Abdominal CT with intravenous contrast, arterial phase, axial plane, 100 kVp, kernel I41f. Slice 95/129 from the bottom of the scan; thickness 3.00 mm; pixel size 0.779 mm.
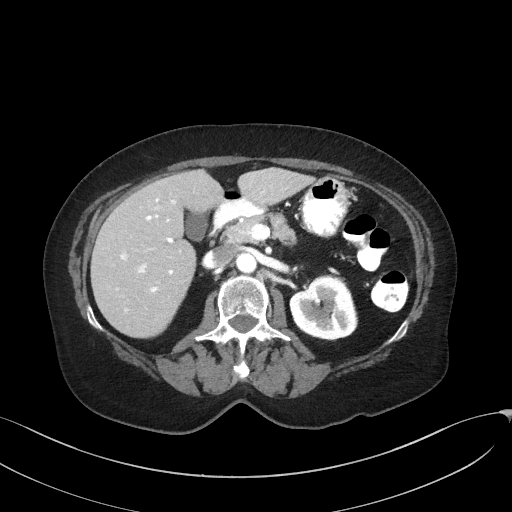
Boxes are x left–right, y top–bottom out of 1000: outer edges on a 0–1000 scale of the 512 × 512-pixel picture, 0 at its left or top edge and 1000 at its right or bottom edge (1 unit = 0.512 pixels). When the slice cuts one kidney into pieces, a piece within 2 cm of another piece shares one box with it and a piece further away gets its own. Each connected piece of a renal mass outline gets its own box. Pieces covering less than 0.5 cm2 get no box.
Left kidney at x 564–701, y 533–666 out of 1000 (outlined area 3,502 px, about 21.3 cm2). This slice carries no renal mass outline.